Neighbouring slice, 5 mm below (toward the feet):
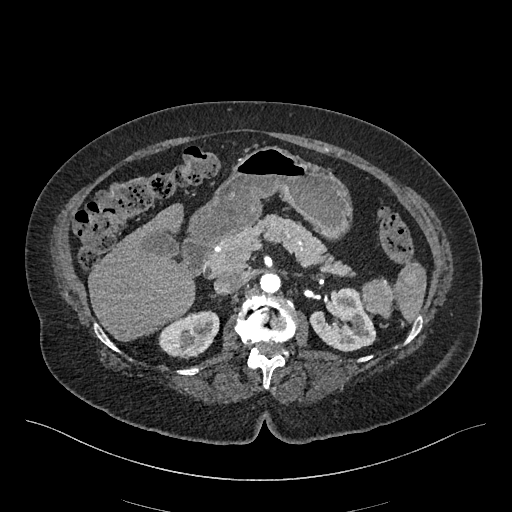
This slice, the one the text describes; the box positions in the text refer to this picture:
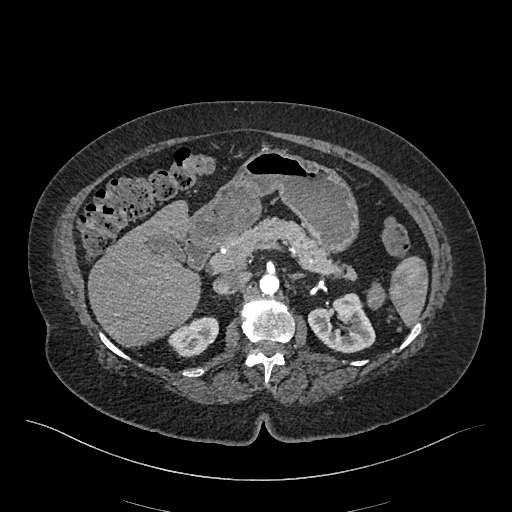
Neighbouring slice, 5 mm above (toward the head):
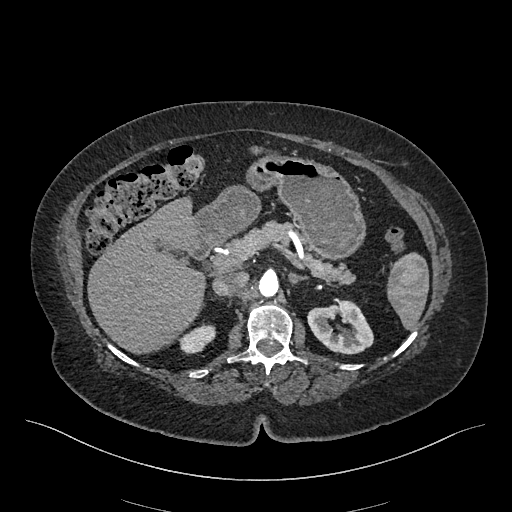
Abdominal CT with intravenous contrast, arterial phase, axial plane, 120 kVp, kernel I26f. Slice 302/548 from the bottom of the scan; thickness 1.00 mm; pixel size 0.852 mm.
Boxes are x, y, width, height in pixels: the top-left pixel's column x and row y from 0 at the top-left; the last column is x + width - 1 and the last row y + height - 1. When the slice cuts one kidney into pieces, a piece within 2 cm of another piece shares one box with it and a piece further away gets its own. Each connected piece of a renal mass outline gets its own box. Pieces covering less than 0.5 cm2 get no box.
Two kidney boxes and one renal mass box on this slice; by box centre, from the image's left to its right: (1) Right kidney, box x 168, y 316, width 51, height 42 (outlined area 1,454 px, about 10.5 cm2). (2) Box x 307, y 293, width 69, height 61: left kidney (outlined area 2,753 px, about 20.0 cm2). (3) Left renal mass at x 367, y 282, width 19, height 28 (outlined area 392 px, about 2.8 cm2). This slice is near the end of the left renal mass toward the head, so the slices 5 mm below and 5 mm above it are shown as well; the boxes refer to this slice only.